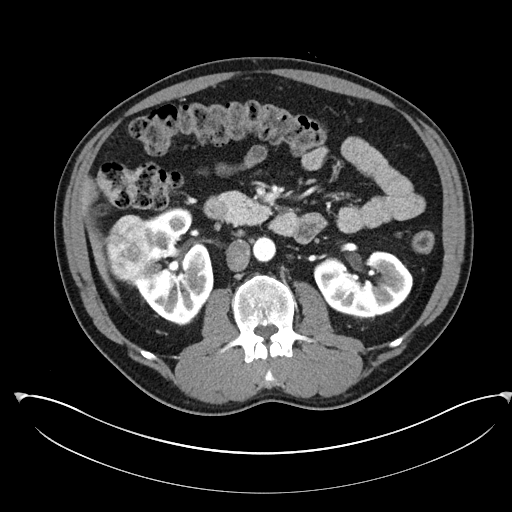
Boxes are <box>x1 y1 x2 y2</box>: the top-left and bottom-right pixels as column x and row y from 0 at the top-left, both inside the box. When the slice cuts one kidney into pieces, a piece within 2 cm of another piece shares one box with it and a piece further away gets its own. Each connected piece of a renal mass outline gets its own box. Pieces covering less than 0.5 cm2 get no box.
Slice 135/302 of a contrast-enhanced abdominal CT in the arterial phase, counting up from the lowest; pixel size 0.875 mm, slice thickness 5.00 mm. Three boxes on this slice (two kidney boxes and one renal mass box), listed by box centre from the image's left to its right. (1) Right renal mass: <box>105 214 152 285</box> (outlined area 2,591 px, about 19.8 cm2). (2) At <box>131 207 213 325</box>: right kidney (outlined area 6,292 px, about 48.2 cm2). (3) Left kidney at <box>313 251 412 318</box> (outlined area 4,996 px, about 38.3 cm2).
Acquired at 100 kVp and reconstructed with the I30f kernel.